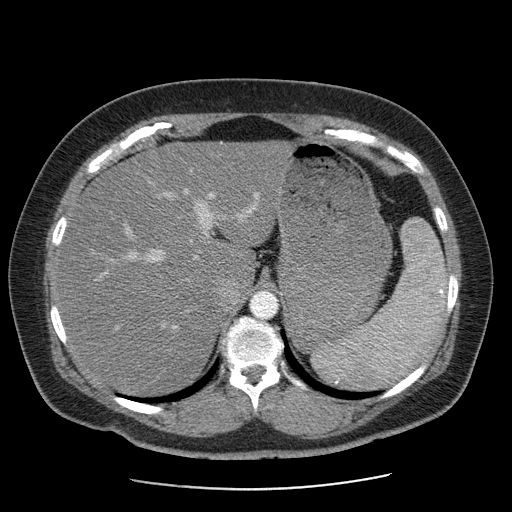
Axial slice 82 of 103 of a contrast-enhanced abdominal CT (slice 1 is the lowest), 120 kVp, kernel STANDARD; 2.50 mm slice thickness and 0.736 mm pixels.
Neither a kidney nor a renal mass is outlined here. Only kidneys and renal masses are outlined anywhere in this scan; other structures are never outlined.